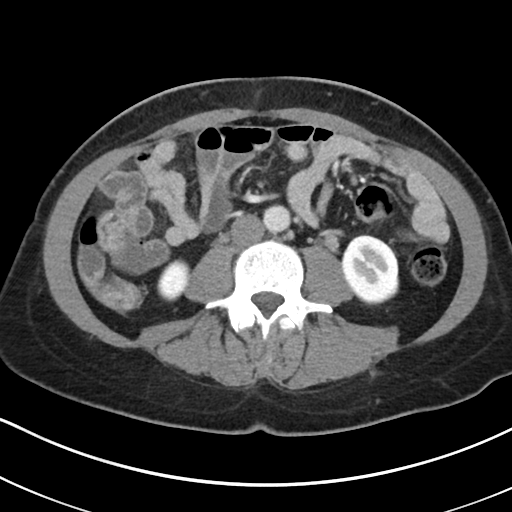
Axial slice 94 of 178 of a contrast-enhanced abdominal CT (slice 1 is the lowest), 100 kVp, kernel I30f; 5.00 mm slice thickness and 0.650 mm pixels.
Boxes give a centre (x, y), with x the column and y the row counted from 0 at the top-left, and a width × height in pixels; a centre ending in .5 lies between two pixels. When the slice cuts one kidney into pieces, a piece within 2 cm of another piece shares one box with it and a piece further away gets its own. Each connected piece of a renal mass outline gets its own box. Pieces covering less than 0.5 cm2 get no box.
Two kidney boxes on this slice; by box centre, from the image's left to its right: (1) Box centre (173.5, 280), 34 × 43 pixels: right kidney (outlined area 1,081 px, about 4.6 cm2). (2) Left kidney in a box with centre (370, 269.5), 59 × 72 pixels (outlined area 3,212 px, about 13.6 cm2). This slice carries no renal mass outline.